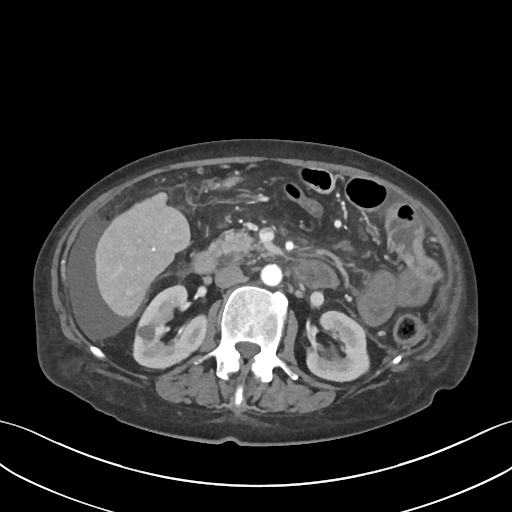
One axial slice (40 of 109, counting up from the lowest) of a contrast-enhanced abdominal CT acquired with 120 kVp, kernel I30f; each pixel is 0.742 mm and the slice is 3.00 mm thick.
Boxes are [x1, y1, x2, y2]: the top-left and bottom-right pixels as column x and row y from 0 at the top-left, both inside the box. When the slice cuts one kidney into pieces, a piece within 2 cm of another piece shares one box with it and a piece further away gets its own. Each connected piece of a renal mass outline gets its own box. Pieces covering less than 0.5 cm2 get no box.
Two kidney boxes on this slice; by box centre, from the image's left to its right: (1) Right kidney, box [132, 285, 208, 369] (outlined area 4,167 px, about 23.0 cm2). (2) Left kidney at [305, 310, 370, 382] (outlined area 3,557 px, about 19.6 cm2). This slice carries no renal mass outline.